Arterial-phase contrast-enhanced abdominal CT, axial slice 316 of 541 (counted from the lowest slice); tube voltage 120 kVp, convolution kernel I30f; slices 1.00 mm thick, 0.834 mm per pixel.
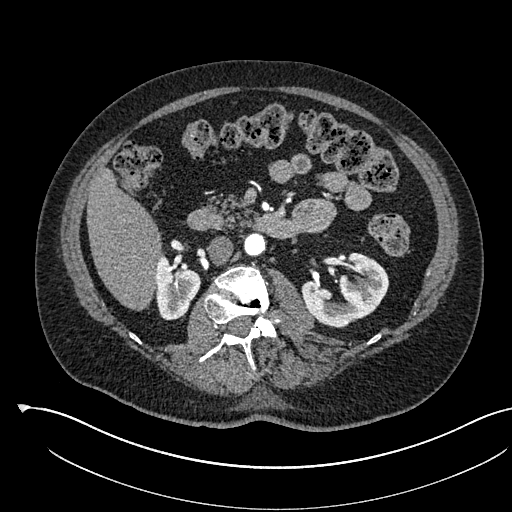
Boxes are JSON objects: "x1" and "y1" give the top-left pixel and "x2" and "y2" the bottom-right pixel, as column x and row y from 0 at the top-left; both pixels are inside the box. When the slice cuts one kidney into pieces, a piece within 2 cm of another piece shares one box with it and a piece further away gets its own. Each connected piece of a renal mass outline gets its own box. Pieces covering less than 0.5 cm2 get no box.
Two kidney boxes on this slice; by box centre, from the image's left to its right: (1) Box {"x1": 154, "y1": 252, "x2": 200, "y2": 320}: right kidney (outlined area 2,262 px, about 15.7 cm2). (2) Box {"x1": 301, "y1": 252, "x2": 389, "y2": 327}: left kidney (outlined area 4,148 px, about 28.9 cm2). No renal mass is outlined on this slice.